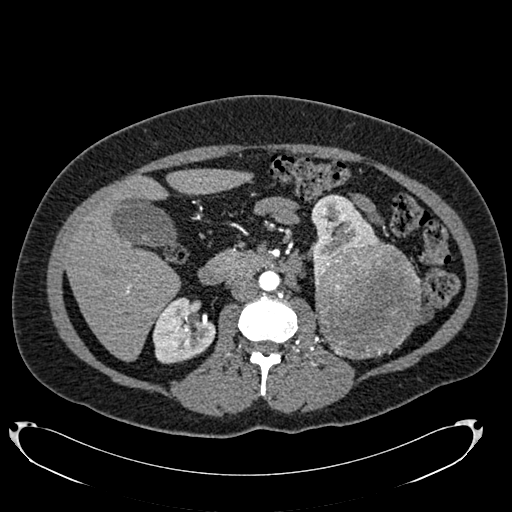
Axial slice 415 of 634 of a contrast-enhanced abdominal CT in the arterial phase (slice 1 is the lowest), 120 kVp, kernel B20f; 1.00 mm slice thickness and 0.838 mm pixels.
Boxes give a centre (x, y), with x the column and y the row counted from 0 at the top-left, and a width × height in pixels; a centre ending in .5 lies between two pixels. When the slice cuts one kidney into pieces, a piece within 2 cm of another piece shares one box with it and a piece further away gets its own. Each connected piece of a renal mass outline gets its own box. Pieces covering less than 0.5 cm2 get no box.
Three boxes on this slice (two kidney boxes and one renal mass box), listed by box centre from the image's left to its right. (1) Right kidney, box centre (183.5, 330), 64 × 67 pixels (outlined area 3,058 px, about 21.5 cm2). (2) Box centre (345.5, 236), 70 × 85 pixels: left kidney (outlined area 2,963 px, about 20.8 cm2). (3) Left renal mass, box centre (367.5, 299.5), 108 × 120 pixels (outlined area 10,309 px, about 72.4 cm2).